Abdominal CT with intravenous contrast, arterial phase, axial plane, 100 kVp, kernel I40f. Slice 82/316 from the bottom of the scan; thickness 2.00 mm; pixel size 0.840 mm.
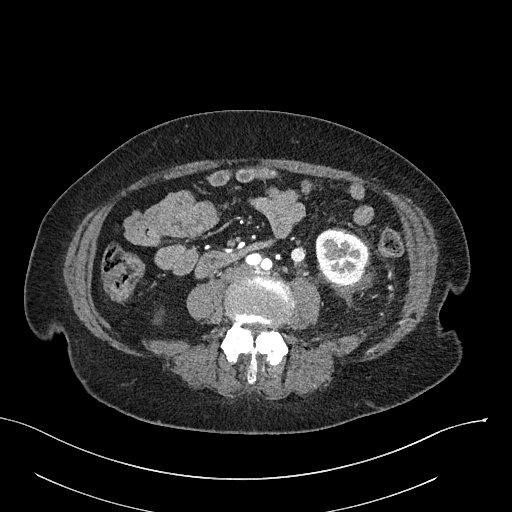
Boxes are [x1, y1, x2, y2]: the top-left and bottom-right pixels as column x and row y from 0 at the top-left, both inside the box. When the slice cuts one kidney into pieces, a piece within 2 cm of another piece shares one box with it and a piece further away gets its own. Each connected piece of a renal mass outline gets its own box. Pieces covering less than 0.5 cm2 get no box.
Box [315, 229, 369, 285]: left kidney (outlined area 2,404 px, about 17.0 cm2). No renal mass outline on this slice.